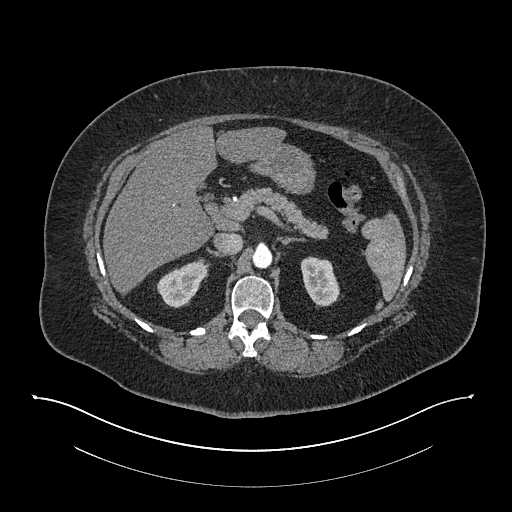
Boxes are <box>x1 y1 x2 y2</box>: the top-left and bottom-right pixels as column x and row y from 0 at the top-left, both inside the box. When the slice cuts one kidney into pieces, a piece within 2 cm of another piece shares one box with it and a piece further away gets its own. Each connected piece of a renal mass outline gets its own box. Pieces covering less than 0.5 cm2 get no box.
Arterial-phase contrast-enhanced abdominal CT, axial slice 548 of 673 (counted from the lowest slice); 1.00 mm thick, 0.957 mm per pixel. Boxed on this slice (two kidney boxes), listed by box centre from the image's left to its right: (1) Right kidney: <box>157 258 209 308</box> (outlined area 1,578 px, about 14.5 cm2). (2) Left kidney: <box>300 256 339 306</box> (outlined area 1,483 px, about 13.6 cm2).
Acquired at 140 kVp and reconstructed with the I30f kernel.